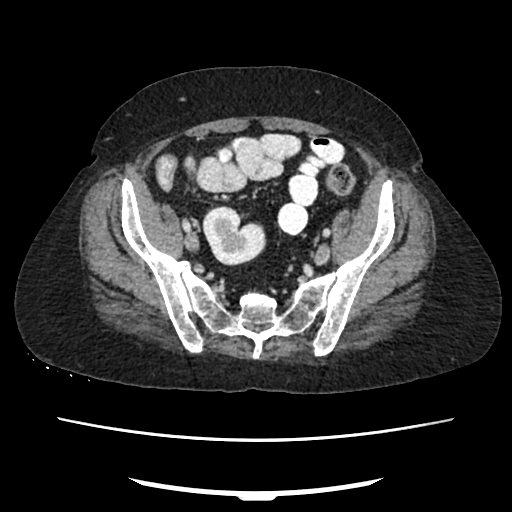
Axial slice 65 of 207 of a contrast-enhanced abdominal CT in the arterial phase (slice 1 is the lowest), 120 kVp, kernel FC18; 2.00 mm slice thickness and 0.741 mm pixels.
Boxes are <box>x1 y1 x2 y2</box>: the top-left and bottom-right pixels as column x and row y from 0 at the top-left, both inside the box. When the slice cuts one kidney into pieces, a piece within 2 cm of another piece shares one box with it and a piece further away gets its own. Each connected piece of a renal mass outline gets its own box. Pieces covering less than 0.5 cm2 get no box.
Right kidney at <box>202 206 266 265</box> (outlined area 2,756 px, about 15.1 cm2). No renal mass outline on this slice.